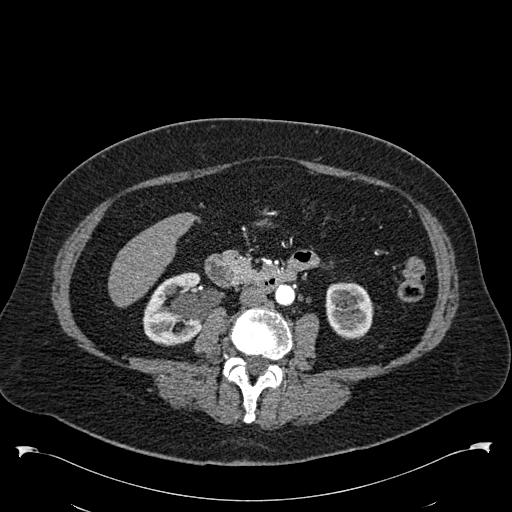
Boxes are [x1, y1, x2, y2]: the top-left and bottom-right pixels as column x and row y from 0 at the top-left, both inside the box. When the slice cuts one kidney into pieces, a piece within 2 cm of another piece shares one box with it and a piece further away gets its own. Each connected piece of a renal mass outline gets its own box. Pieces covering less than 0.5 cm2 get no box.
Arterial-phase contrast-enhanced abdominal CT, axial slice 265 of 538 (counted from the lowest slice); 1.00 mm thick, 0.811 mm per pixel. Boxed on this slice (two kidney boxes), listed by box centre from the image's left to its right: (1) Right kidney at [142, 272, 200, 346] (outlined area 3,347 px, about 22.0 cm2). (2) Box [325, 282, 373, 339]: left kidney (outlined area 2,271 px, about 14.9 cm2). This slice carries no renal mass outline.
Tube voltage 120 kVp; convolution kernel B30f.